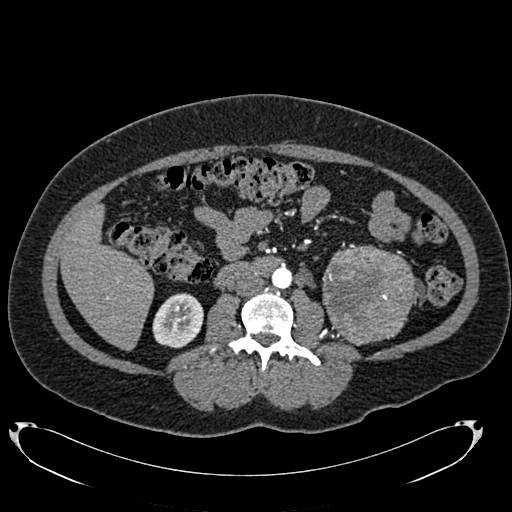
Axial slice 361 of 634 of a contrast-enhanced abdominal CT in the arterial phase (slice 1 is the lowest), 120 kVp, kernel B20f; 1.00 mm slice thickness and 0.838 mm pixels.
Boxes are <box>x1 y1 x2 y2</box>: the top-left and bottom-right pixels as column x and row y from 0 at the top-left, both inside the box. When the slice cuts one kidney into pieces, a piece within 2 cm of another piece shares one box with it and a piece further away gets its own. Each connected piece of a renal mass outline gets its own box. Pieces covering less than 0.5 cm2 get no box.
One kidney box and one renal mass box on this slice; by box centre, from the image's left to its right: (1) Right kidney: <box>152 293 203 348</box> (outlined area 2,189 px, about 15.4 cm2). (2) Left renal mass: <box>322 244 415 345</box> (outlined area 7,441 px, about 52.2 cm2); here it is more than 1 cm from any kidney outline, though on another slice the same outlined renal mass lies within 1 cm of the kidney.